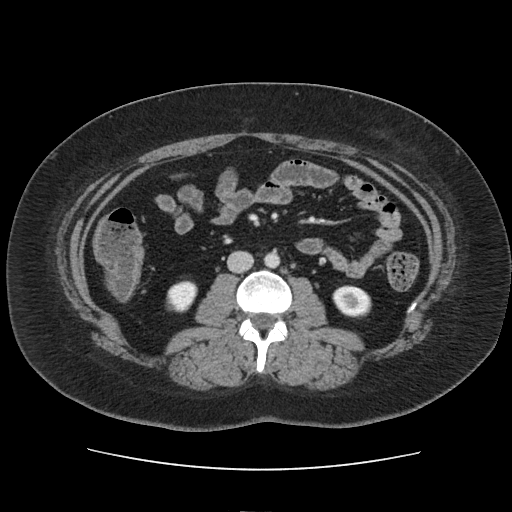
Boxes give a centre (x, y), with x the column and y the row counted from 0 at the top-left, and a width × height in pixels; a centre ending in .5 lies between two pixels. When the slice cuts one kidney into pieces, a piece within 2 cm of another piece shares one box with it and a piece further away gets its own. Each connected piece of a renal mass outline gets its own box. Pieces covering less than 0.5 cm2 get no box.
Arterial-phase contrast-enhanced abdominal CT, axial slice 59 of 103 (counted from the lowest slice); 5.00 mm thick, 0.873 mm per pixel. Two boxes on this slice (two kidney boxes), listed by box centre from the image's left to its right. (1) Right kidney, box centre (181.5, 296), 32 × 33 pixels (outlined area 797 px, about 6.1 cm2). (2) Left kidney in a box with centre (351.5, 301), 40 × 33 pixels (outlined area 1,010 px, about 7.7 cm2). This slice carries no renal mass outline.
Acquired at 120 kVp and reconstructed with the FC19 kernel.